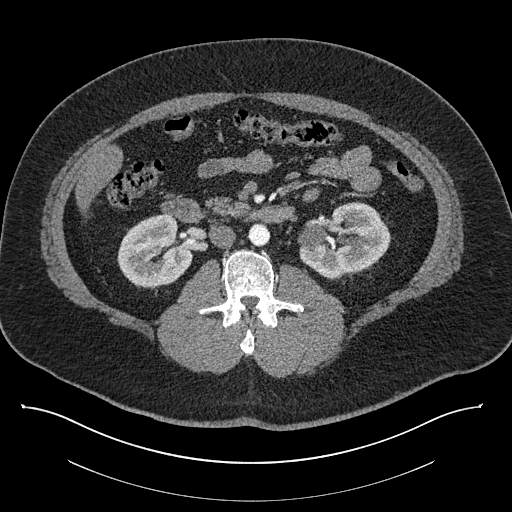
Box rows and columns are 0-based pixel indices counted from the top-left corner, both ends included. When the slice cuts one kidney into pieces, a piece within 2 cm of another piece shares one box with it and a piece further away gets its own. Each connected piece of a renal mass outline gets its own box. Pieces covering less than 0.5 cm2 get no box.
This is axial slice 469 of 787 (slice 1 is the lowest) of an abdominal CT with contrast; each pixel is 0.910 mm and the slice is 1.00 mm thick. Two kidney boxes on this slice; by box centre, from the image's left to its right: (1) Box rows 213–288, columns 117–193: right kidney (outlined area 4,188 px, about 34.7 cm2). (2) Box rows 202–279, columns 298–391: left kidney (outlined area 5,190 px, about 43.0 cm2). No renal mass is outlined on this slice.
Acquired at 140 kVp and reconstructed with the I30f kernel.